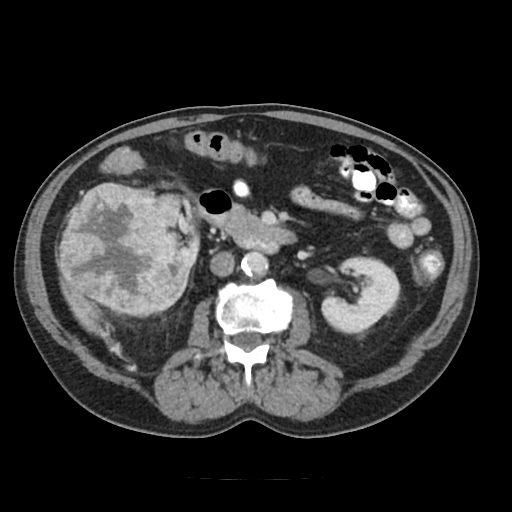
Contrast-enhanced abdominal CT, axial slice 58 of 91 (counted from the lowest slice); tube voltage 120 kVp, convolution kernel FC18; slices 5.00 mm thick, 0.766 mm per pixel.
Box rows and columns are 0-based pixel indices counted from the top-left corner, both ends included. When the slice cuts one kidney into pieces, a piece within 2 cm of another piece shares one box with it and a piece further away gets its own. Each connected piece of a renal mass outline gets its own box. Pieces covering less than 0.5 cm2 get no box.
Boxed on this slice (two kidney boxes and one renal mass box), listed by box centre from the image's left to its right: (1) Right renal mass, box rows 183–318, columns 55–197 (outlined area 14,250 px, about 83.6 cm2). (2) Right kidney, box rows 223–311, columns 160–200 (outlined area 595 px, about 3.5 cm2). (3) Left kidney, box rows 255–334, columns 321–400 (outlined area 4,297 px, about 25.2 cm2).